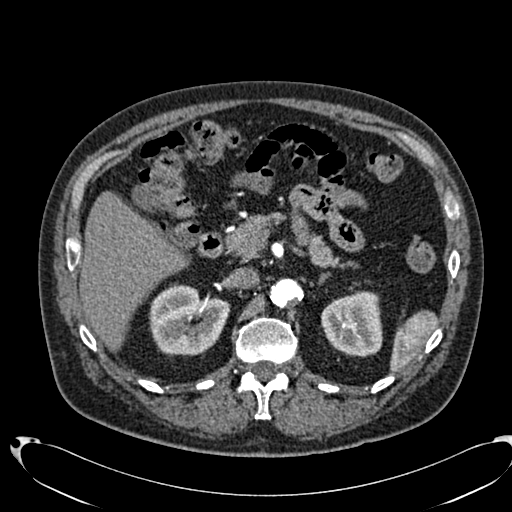
Abdominal CT with intravenous contrast, arterial phase, axial plane, 120 kVp, kernel B20f. Slice 461/553 from the bottom of the scan; thickness 1.00 mm; pixel size 0.773 mm.
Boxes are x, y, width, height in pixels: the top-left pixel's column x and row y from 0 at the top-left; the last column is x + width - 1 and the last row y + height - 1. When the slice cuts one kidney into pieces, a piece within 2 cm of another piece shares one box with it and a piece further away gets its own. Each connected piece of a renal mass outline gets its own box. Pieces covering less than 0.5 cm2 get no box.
Two kidney boxes on this slice; by box centre, from the image's left to its right: (1) Right kidney at x 149, y 283, width 82, height 73 (outlined area 4,412 px, about 26.4 cm2). (2) Left kidney at x 321, y 291, width 62, height 66 (outlined area 3,219 px, about 19.3 cm2). No renal mass outline on this slice.